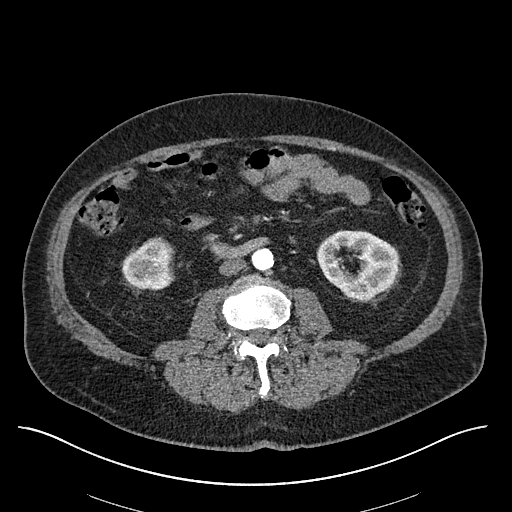
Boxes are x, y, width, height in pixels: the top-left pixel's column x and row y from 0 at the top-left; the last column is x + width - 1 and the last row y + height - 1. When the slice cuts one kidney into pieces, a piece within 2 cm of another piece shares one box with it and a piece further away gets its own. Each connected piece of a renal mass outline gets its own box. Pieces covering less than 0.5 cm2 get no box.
Arterial-phase contrast-enhanced abdominal CT, axial slice 263 of 670 (counted from the lowest slice); 1.00 mm thick, 0.861 mm per pixel. Two boxes on this slice (two kidney boxes), listed by box centre from the image's left to its right. (1) Right kidney, box x 122, y 237, width 53, height 53 (outlined area 2,114 px, about 15.7 cm2). (2) Left kidney at x 316, y 230, width 84, height 71 (outlined area 4,144 px, about 30.7 cm2). No renal mass outline on this slice.
Scan settings: 120 kVp, I30f reconstruction kernel.